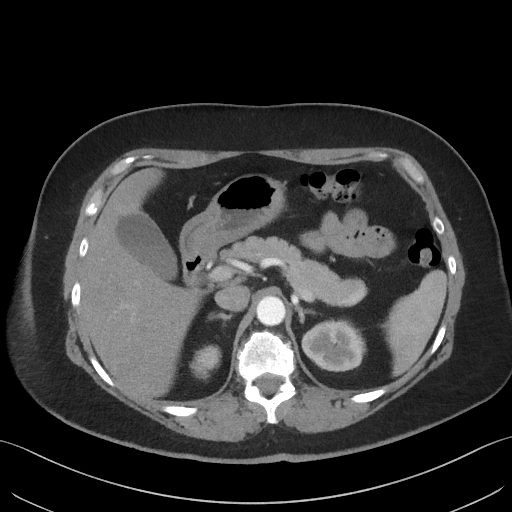
Contrast-enhanced abdominal CT, axial slice 43 of 69 (counted from the lowest slice); tube voltage 140 kVp, convolution kernel I41f; slices 3.00 mm thick, 0.736 mm per pixel.
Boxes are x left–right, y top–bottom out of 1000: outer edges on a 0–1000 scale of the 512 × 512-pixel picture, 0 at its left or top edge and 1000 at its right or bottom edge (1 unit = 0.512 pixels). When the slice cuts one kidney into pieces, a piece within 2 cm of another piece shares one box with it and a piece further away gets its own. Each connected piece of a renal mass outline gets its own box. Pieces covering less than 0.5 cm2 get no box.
Two boxes on this slice (two kidney boxes), listed by box centre from the image's left to its right. (1) Right kidney, box x 369–434, y 674–742 out of 1000 (outlined area 777 px, about 4.2 cm2). (2) Left kidney, box x 588–717, y 623–727 out of 1000 (outlined area 2,660 px, about 14.4 cm2). No renal mass is outlined on this slice.